Arterial-phase contrast-enhanced abdominal CT, axial slice 112 of 325 (counted from the lowest slice); tube voltage 100 kVp, convolution kernel I30f; slices 1.00 mm thick, 0.703 mm per pixel.
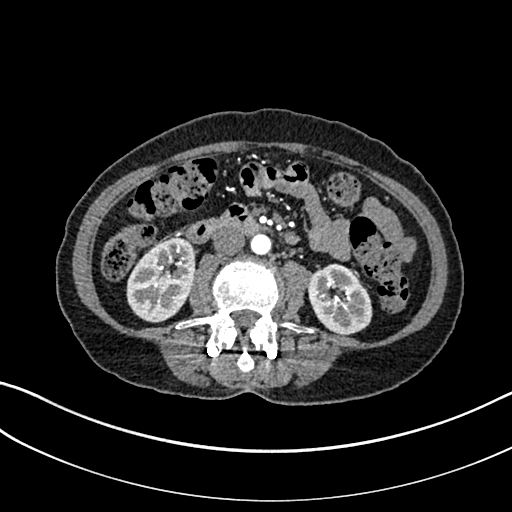
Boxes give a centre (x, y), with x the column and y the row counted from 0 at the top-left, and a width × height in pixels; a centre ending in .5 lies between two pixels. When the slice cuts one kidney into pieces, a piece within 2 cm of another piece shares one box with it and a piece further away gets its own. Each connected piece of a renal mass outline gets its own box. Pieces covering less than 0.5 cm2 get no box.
Two kidney boxes on this slice; by box centre, from the image's left to its right: (1) Right kidney in a box with centre (160.5, 278.5), 70 × 88 pixels (outlined area 4,460 px, about 22.0 cm2). (2) Left kidney in a box with centre (340, 298.5), 65 × 72 pixels (outlined area 3,456 px, about 17.1 cm2). No renal mass is outlined on this slice.